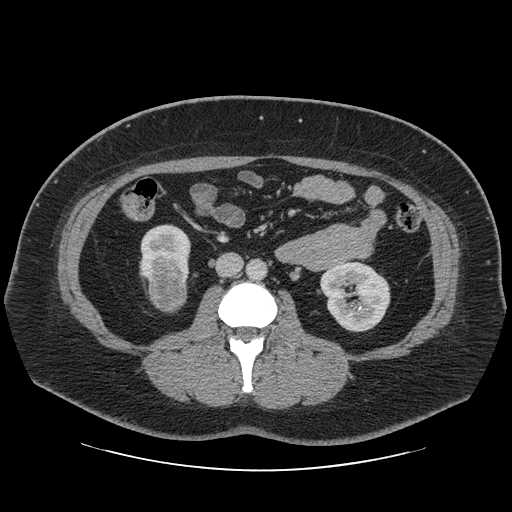
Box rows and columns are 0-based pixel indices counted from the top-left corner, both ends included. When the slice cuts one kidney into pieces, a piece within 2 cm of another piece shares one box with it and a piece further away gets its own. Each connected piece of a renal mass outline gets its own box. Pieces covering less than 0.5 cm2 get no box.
Slice 21/69 of a contrast-enhanced abdominal CT in the arterial phase, counting up from the lowest; pixel size 0.846 mm, slice thickness 2.50 mm. Two kidney boxes and one renal mass box on this slice; by box centre, from the image's left to its right: (1) Right kidney, box rows 224–283, columns 139–190 (outlined area 2,296 px, about 16.4 cm2). (2) Right renal mass at rows 269–313, columns 147–187 (outlined area 1,404 px, about 10.0 cm2). (3) Box rows 261–332, columns 320–390: left kidney (outlined area 3,784 px, about 27.1 cm2).
Scan settings: 120 kVp, STANDARD reconstruction kernel.